One axial slice (87 of 159, counting up from the lowest) of a contrast-enhanced abdominal CT acquired with 120 kVp, kernel FC13; each pixel is 0.668 mm and the slice is 3.00 mm thick.
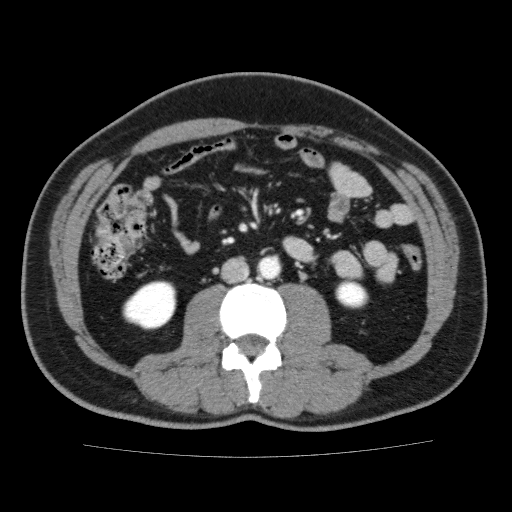
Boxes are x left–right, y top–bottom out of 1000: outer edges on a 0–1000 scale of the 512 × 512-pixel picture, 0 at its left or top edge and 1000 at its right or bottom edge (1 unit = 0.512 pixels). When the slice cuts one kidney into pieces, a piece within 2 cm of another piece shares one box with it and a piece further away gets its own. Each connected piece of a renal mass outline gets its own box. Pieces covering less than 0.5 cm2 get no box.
Two boxes on this slice (two kidney boxes), listed by box centre from the image's left to its right. (1) Box x 238–346, y 547–646 out of 1000: right kidney (outlined area 2,073 px, about 9.3 cm2). (2) Box x 654–721, y 547–604 out of 1000: left kidney (outlined area 767 px, about 3.4 cm2). This slice carries no renal mass outline.